Arterial-phase contrast-enhanced abdominal CT, axial slice 50 of 82 (counted from the lowest slice); tube voltage 120 kVp, convolution kernel B31f; slices 5.00 mm thick, 0.625 mm per pixel.
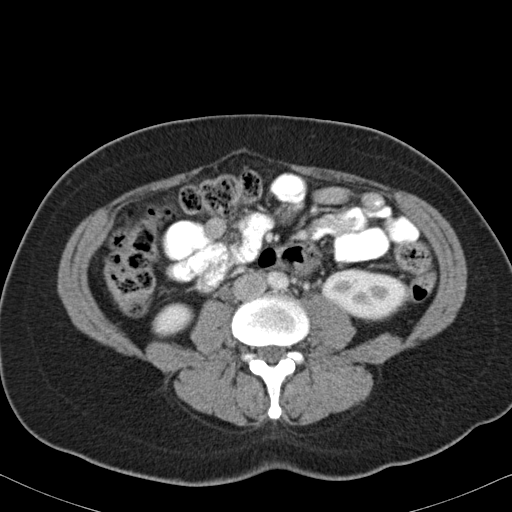
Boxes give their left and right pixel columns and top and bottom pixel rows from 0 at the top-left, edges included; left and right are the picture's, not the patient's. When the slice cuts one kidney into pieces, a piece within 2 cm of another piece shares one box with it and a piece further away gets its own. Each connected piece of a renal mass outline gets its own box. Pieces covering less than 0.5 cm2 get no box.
Boxed on this slice (two kidney boxes), listed by box centre from the image's left to its right: (1) Box with left 153, top 303, right 192, bottom 336: right kidney (outlined area 955 px, about 3.7 cm2). (2) Left kidney in the box with left 323, top 269, right 410, bottom 320 (outlined area 3,289 px, about 12.8 cm2). No renal mass outline on this slice.